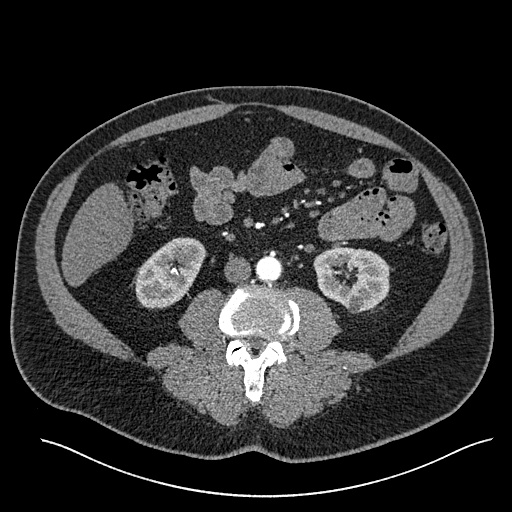
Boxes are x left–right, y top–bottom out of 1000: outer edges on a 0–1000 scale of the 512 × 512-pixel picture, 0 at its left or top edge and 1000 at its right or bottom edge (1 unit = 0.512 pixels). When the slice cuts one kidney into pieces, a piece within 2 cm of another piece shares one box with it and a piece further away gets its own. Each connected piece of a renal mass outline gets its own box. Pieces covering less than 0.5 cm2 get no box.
Slice 237/527 of a contrast-enhanced abdominal CT in the arterial phase, counting up from the lowest; pixel size 0.859 mm, slice thickness 1.00 mm. Two kidney boxes on this slice; by box centre, from the image's left to its right: (1) Box x 264–402, y 463–604 out of 1000: right kidney (outlined area 3,514 px, about 26.0 cm2). (2) Left kidney at x 611–764, y 482–613 out of 1000 (outlined area 3,848 px, about 28.4 cm2). This slice carries no renal mass outline.
Scan settings: 120 kVp, I30f reconstruction kernel.